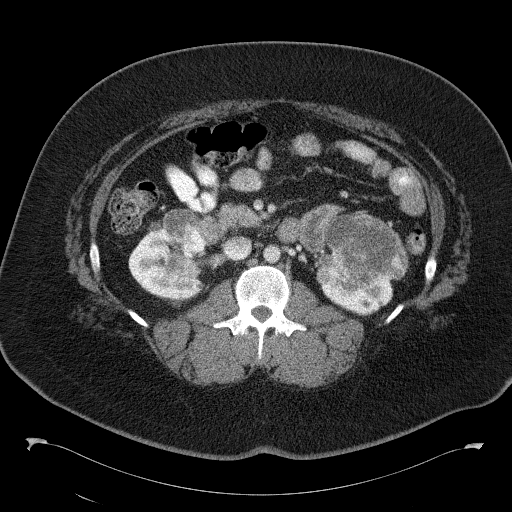
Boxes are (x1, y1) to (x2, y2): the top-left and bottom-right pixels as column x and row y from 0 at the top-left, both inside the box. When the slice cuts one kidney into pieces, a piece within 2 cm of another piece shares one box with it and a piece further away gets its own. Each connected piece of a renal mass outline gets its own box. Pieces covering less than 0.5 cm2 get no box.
Contrast-enhanced abdominal CT, axial slice 74 of 146 (counted from the lowest slice); 5.00 mm thick, 0.840 mm per pixel. Boxed on this slice (two kidney boxes and three renal mass boxes), listed by box centre from the image's left to its right: (1) Kidney, box (128, 222) to (205, 299) (outlined area 3,843 px, about 27.1 cm2). (2) Renal mass, box (162, 208) to (190, 238) (outlined area 656 px, about 4.6 cm2). (3) Box (165, 255) to (199, 277): renal mass (outlined area 614 px, about 4.3 cm2). (4) Kidney, box (316, 251) to (393, 316) (outlined area 2,412 px, about 17.0 cm2). (5) Renal mass from (324, 214) to (408, 283) (outlined area 4,589 px, about 32.4 cm2).
Tube voltage 120 kVp; convolution kernel B41f.